Arterial-phase contrast-enhanced abdominal CT, axial slice 48 of 94 (counted from the lowest slice); tube voltage 100 kVp, convolution kernel I41f; slices 5.00 mm thick, 0.551 mm per pixel.
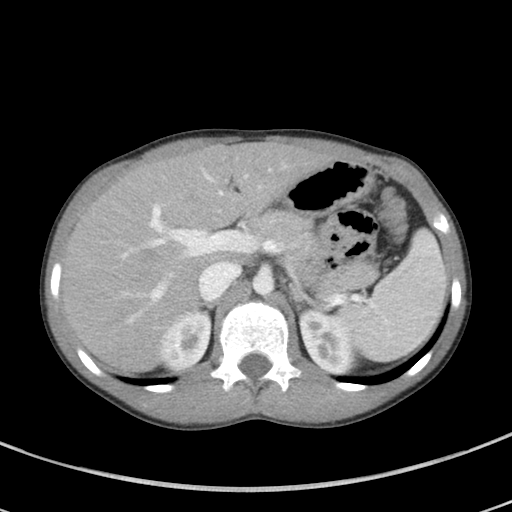
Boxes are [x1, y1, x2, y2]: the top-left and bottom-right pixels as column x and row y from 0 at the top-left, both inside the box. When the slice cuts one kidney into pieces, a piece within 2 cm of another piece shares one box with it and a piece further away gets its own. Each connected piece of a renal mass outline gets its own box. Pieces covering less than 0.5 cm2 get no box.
Boxed on this slice (two kidney boxes), listed by box centre from the image's left to its right: (1) Right kidney, box [159, 311, 211, 371] (outlined area 2,372 px, about 7.2 cm2). (2) Box [299, 309, 354, 374]: left kidney (outlined area 2,631 px, about 8.0 cm2). No renal mass outline on this slice.